Axial slice 296 of 670 of a contrast-enhanced abdominal CT in the arterial phase (slice 1 is the lowest), 120 kVp, kernel I30f; 1.00 mm slice thickness and 0.861 mm pixels.
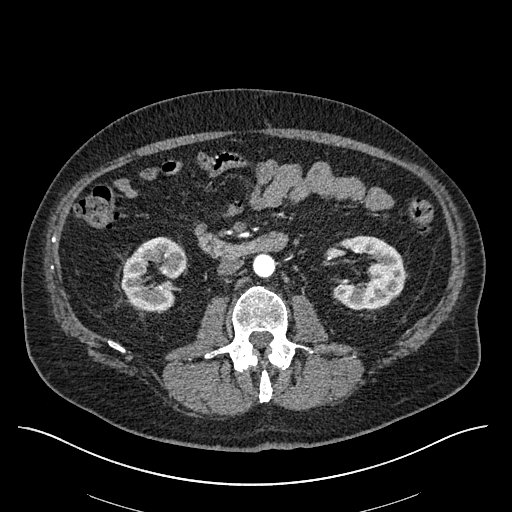
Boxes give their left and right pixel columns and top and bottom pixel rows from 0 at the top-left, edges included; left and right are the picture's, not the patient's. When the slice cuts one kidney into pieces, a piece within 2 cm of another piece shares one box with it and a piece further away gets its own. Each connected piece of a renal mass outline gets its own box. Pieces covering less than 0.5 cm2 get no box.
Boxed on this slice (two kidney boxes and one renal mass box), listed by box centre from the image's left to its right: (1) Right kidney, the box with left 121, top 236, right 187, bottom 312 (outlined area 3,202 px, about 23.8 cm2). (2) Right renal mass, the box with left 164, top 247, right 184, bottom 265 (outlined area 309 px, about 2.3 cm2). (3) Left kidney, the box with left 332, top 235, right 404, bottom 310 (outlined area 3,654 px, about 27.1 cm2).